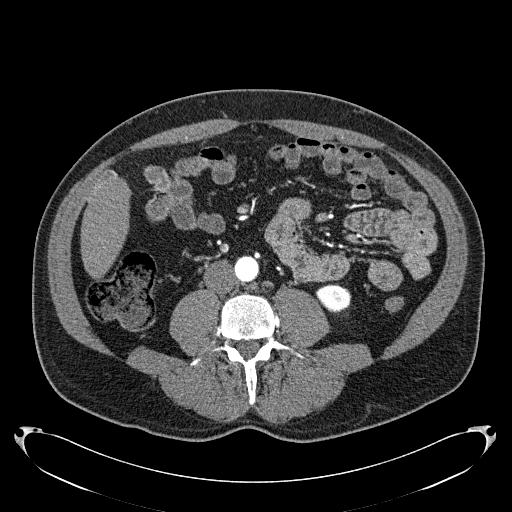
One axial slice (65 of 279, counting up from the lowest) of an arterial-phase abdominal CT acquired with 120 kVp, kernel B31f; each pixel is 0.824 mm and the slice is 2.00 mm thick.
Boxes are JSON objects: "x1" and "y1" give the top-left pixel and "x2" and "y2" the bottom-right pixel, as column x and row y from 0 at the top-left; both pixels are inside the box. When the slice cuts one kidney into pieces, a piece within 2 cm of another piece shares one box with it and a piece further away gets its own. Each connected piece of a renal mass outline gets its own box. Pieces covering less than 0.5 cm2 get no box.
Left kidney, box {"x1": 315, "y1": 284, "x2": 351, "y2": 313} (outlined area 814 px, about 5.5 cm2). This slice carries no renal mass outline.